One axial slice (96 of 131, counting up from the lowest) of an arterial-phase abdominal CT acquired with 120 kVp, kernel B41f; each pixel is 0.760 mm and the slice is 5.00 mm thick.
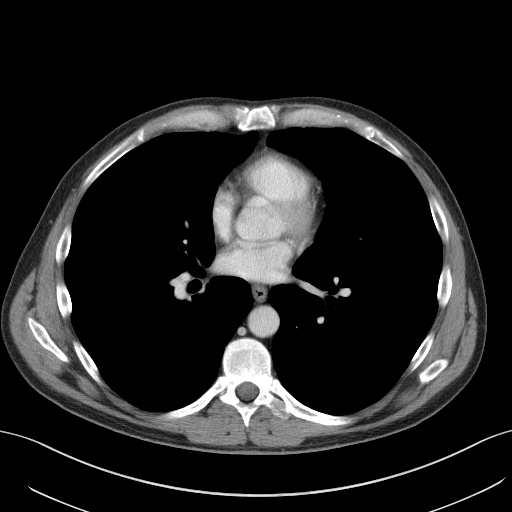
Outside the outlined region: no kidney outline and no renal mass outline on this slice. The scan's outlines cover only kidneys and renal masses; no other organ is outlined.